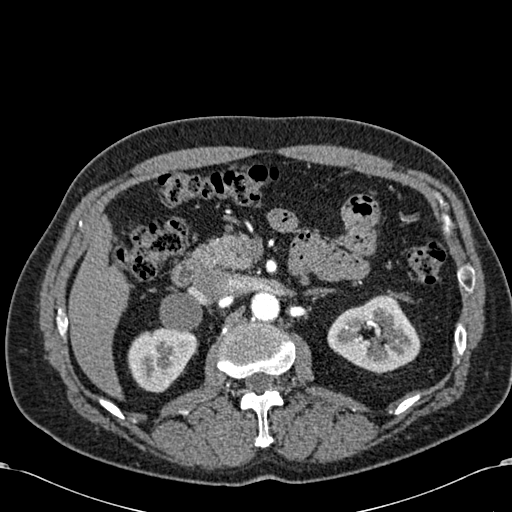
Arterial-phase contrast-enhanced abdominal CT, axial slice 388 of 581 (counted from the lowest slice); tube voltage 120 kVp, convolution kernel B30f; slices 1.00 mm thick, 0.713 mm per pixel.
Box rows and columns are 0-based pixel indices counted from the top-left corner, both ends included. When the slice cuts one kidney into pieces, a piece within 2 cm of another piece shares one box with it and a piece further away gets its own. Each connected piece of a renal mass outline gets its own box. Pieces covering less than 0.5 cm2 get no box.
Two kidney boxes on this slice; by box centre, from the image's left to its right: (1) Box rows 326–393, columns 127–198: right kidney (outlined area 3,362 px, about 17.1 cm2). (2) Left kidney, box rows 295–374, columns 327–420 (outlined area 5,037 px, about 25.6 cm2). No renal mass outline on this slice.